Axial slice 401 of 665 of a contrast-enhanced abdominal CT in the arterial phase (slice 1 is the lowest), 100 kVp, kernel I26f; 1.00 mm slice thickness and 0.828 mm pixels.
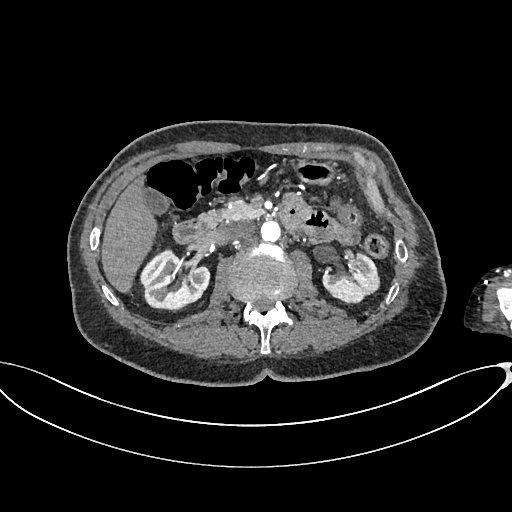
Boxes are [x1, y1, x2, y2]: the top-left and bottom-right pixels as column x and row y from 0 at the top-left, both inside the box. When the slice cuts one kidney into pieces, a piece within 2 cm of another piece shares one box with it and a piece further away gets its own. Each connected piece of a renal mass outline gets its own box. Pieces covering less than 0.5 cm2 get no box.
Two kidney boxes on this slice; by box centre, from the image's left to its right: (1) Box [140, 247, 210, 311]: right kidney (outlined area 3,228 px, about 22.1 cm2). (2) Left kidney, box [322, 252, 380, 304] (outlined area 2,081 px, about 14.3 cm2). No renal mass is outlined on this slice.